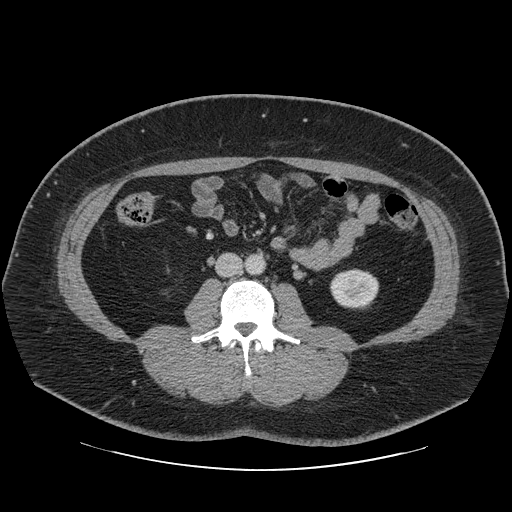
Axial slice 13 of 69 of a contrast-enhanced abdominal CT in the arterial phase (slice 1 is the lowest), 120 kVp, kernel STANDARD; 2.50 mm slice thickness and 0.846 mm pixels.
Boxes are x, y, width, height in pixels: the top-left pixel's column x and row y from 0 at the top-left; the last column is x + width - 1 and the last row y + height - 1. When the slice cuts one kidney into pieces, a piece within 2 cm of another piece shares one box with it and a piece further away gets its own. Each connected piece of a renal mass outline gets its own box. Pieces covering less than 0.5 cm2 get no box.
Box x 330, y 268, width 50, height 42: left kidney (outlined area 1,593 px, about 11.4 cm2). No renal mass is outlined on this slice.